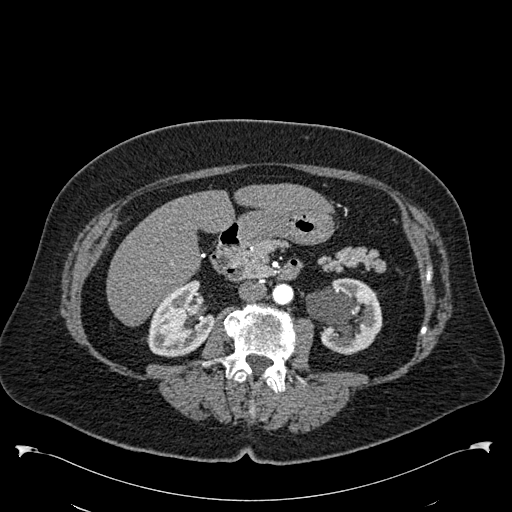
Axial slice 309 of 538 of a contrast-enhanced abdominal CT in the arterial phase (slice 1 is the lowest), 120 kVp, kernel B30f; 1.00 mm slice thickness and 0.811 mm pixels.
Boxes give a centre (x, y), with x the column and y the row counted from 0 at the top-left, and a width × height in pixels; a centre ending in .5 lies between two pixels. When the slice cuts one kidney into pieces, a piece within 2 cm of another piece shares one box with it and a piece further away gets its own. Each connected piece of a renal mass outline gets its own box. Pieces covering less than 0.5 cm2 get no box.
Two boxes on this slice (two kidney boxes), listed by box centre from the image's left to its right. (1) Box centre (180.5, 318), 68 × 79 pixels: right kidney (outlined area 3,577 px, about 23.5 cm2). (2) Left kidney in a box with centre (344, 316), 77 × 77 pixels (outlined area 4,199 px, about 27.6 cm2). This slice carries no renal mass outline.